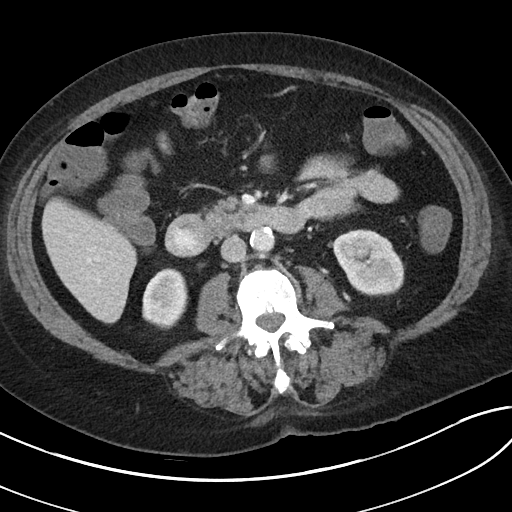
Contrast-enhanced abdominal CT, axial slice 52 of 80 (counted from the lowest slice); tube voltage 100 kVp, convolution kernel I40f; slices 5.00 mm thick, 0.703 mm per pixel.
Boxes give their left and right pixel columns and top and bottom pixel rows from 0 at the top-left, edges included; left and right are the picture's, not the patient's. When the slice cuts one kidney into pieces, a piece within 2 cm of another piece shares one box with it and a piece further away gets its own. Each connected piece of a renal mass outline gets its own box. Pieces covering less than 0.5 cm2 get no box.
Two kidney boxes on this slice; by box centre, from the image's left to its right: (1) Right kidney in the box with left 142, top 268, right 188, bottom 329 (outlined area 2,221 px, about 11.0 cm2). (2) Box with left 331, top 229, right 404, bottom 296: left kidney (outlined area 3,605 px, about 17.8 cm2). This slice carries no renal mass outline.